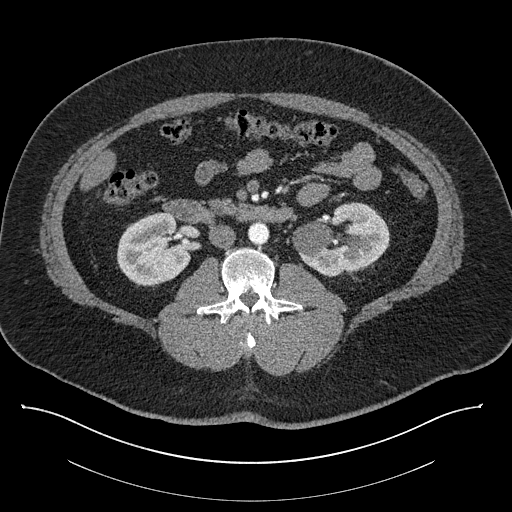
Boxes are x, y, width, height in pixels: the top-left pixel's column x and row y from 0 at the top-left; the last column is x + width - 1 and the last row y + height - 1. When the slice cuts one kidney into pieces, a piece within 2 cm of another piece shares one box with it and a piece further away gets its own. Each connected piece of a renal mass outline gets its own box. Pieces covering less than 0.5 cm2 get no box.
Slice 460/787 of a contrast-enhanced abdominal CT, counting up from the lowest; pixel size 0.910 mm, slice thickness 1.00 mm. Two boxes on this slice (two kidney boxes), listed by box centre from the image's left to its right. (1) Right kidney at x 117, y 212, width 75, height 76 (outlined area 4,117 px, about 34.1 cm2). (2) Left kidney at x 292, y 202, width 99, height 75 (outlined area 5,160 px, about 42.7 cm2). This slice carries no renal mass outline.
Tube voltage 140 kVp; convolution kernel I30f.